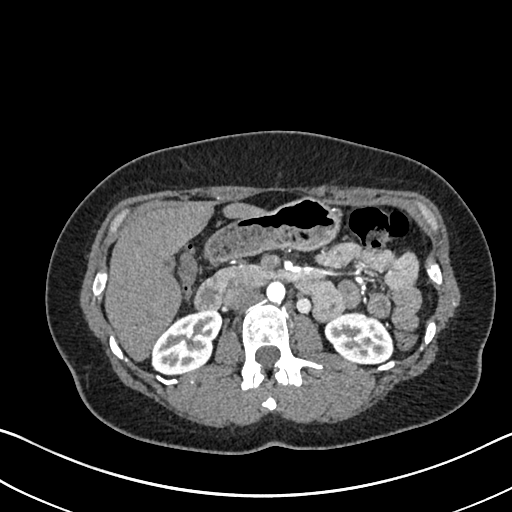
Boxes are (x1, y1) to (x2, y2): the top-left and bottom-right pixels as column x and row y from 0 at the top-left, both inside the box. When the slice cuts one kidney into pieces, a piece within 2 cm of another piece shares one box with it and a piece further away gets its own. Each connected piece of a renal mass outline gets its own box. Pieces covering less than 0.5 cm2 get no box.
Arterial-phase contrast-enhanced abdominal CT, axial slice 408 of 612 (counted from the lowest slice); 1.00 mm thick, 0.703 mm per pixel. Boxed on this slice (two kidney boxes), listed by box centre from the image's left to its right: (1) Box (151, 309) to (222, 375): right kidney (outlined area 3,241 px, about 16.0 cm2). (2) Left kidney from (324, 311) to (393, 363) (outlined area 2,727 px, about 13.5 cm2). This slice carries no renal mass outline.
Acquired at 120 kVp and reconstructed with the I30f kernel.